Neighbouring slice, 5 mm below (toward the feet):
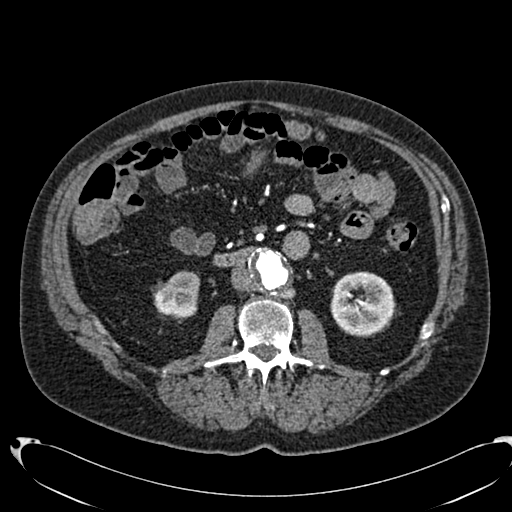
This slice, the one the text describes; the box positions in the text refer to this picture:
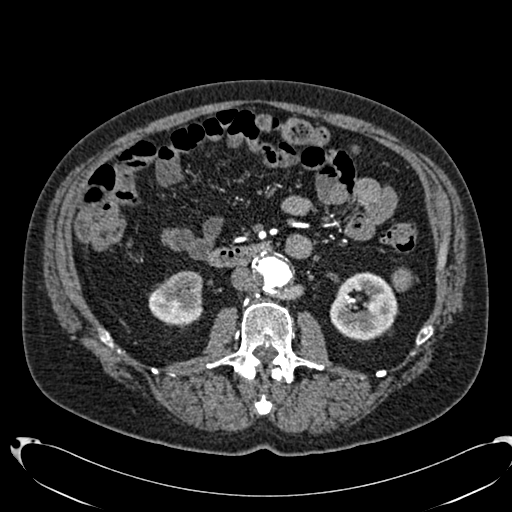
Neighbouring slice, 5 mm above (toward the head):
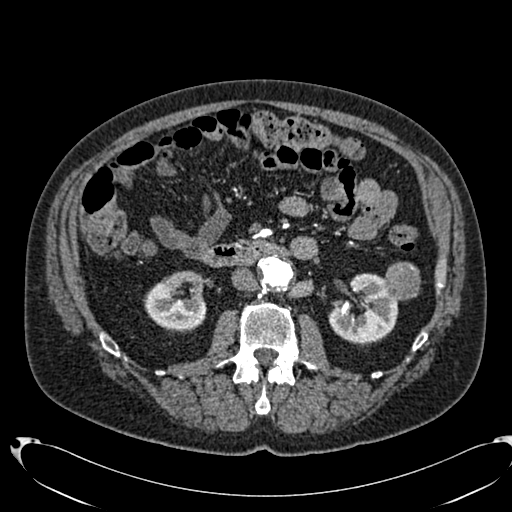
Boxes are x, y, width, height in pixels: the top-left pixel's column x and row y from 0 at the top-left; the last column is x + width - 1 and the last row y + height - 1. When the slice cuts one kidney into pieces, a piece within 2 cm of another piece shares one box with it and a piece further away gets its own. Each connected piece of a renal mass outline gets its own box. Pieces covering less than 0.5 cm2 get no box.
This is axial slice 377 of 553 (slice 1 is the lowest) of an arterial-phase abdominal CT with contrast; each pixel is 0.773 mm and the slice is 1.00 mm thick. Two kidney boxes and one renal mass box on this slice; by box centre, from the image's left to its right: (1) Box x 148, y 271, width 56, height 58: right kidney (outlined area 2,383 px, about 14.3 cm2). (2) Box x 329, y 272, width 70, height 70: left kidney (outlined area 3,447 px, about 20.6 cm2). (3) Left renal mass, box x 391, y 267, width 23, height 25 (outlined area 397 px, about 2.4 cm2). This slice is near the end of the left renal mass toward the feet, so the slices 5 mm below and 5 mm above it are shown as well; the boxes refer to this slice only.
Tube voltage 120 kVp; convolution kernel B20f.